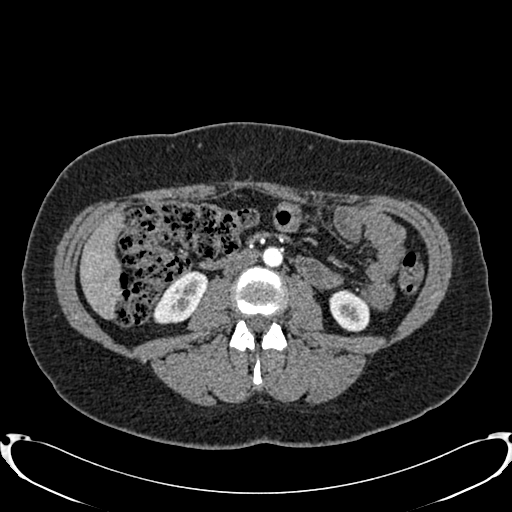
Arterial-phase contrast-enhanced abdominal CT, axial slice 390 of 719 (counted from the lowest slice); tube voltage 120 kVp, convolution kernel B20f; slices 1.00 mm thick, 0.766 mm per pixel.
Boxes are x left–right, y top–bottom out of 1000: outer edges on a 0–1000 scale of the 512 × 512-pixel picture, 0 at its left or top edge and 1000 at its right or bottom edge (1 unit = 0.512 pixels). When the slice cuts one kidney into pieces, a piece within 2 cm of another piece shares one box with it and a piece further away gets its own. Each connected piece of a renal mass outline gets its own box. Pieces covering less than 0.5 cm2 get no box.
Two kidney boxes on this slice; by box centre, from the image's left to its right: (1) Box x 299–406, y 529–635 out of 1000: right kidney (outlined area 1,913 px, about 11.2 cm2). (2) Left kidney, box x 643–723, y 566–650 out of 1000 (outlined area 1,326 px, about 7.8 cm2). This slice carries no renal mass outline.